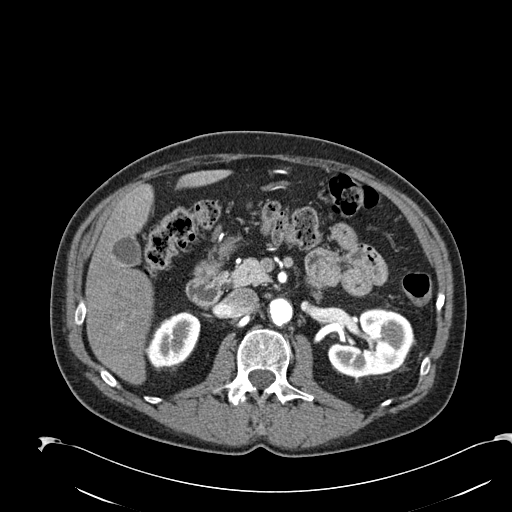
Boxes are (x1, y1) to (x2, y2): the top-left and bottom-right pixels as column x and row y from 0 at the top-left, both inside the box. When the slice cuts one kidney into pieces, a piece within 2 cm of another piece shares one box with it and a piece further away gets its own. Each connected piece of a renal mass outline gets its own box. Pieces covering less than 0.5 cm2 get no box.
Slice 127/274 of a contrast-enhanced abdominal CT in the arterial phase, counting up from the lowest; pixel size 0.809 mm, slice thickness 2.00 mm. Two kidney boxes on this slice; by box centre, from the image's left to its right: (1) Box (146, 312) to (200, 367): right kidney (outlined area 2,188 px, about 14.3 cm2). (2) Box (327, 307) to (414, 377): left kidney (outlined area 4,319 px, about 28.2 cm2). No renal mass is outlined on this slice.
Scan settings: 120 kVp, B30f reconstruction kernel.